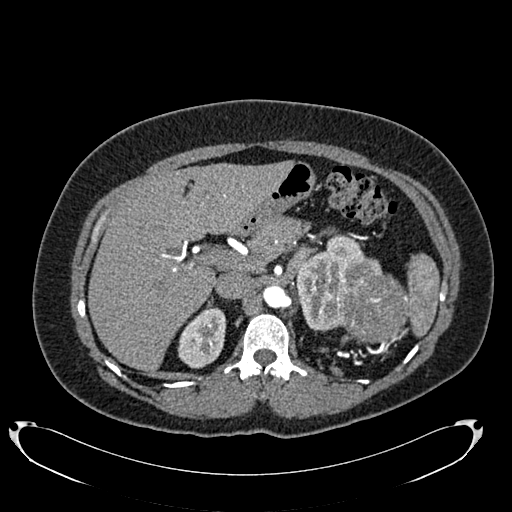
Arterial-phase contrast-enhanced abdominal CT, axial slice 509 of 634 (counted from the lowest slice); tube voltage 120 kVp, convolution kernel B20f; slices 1.00 mm thick, 0.838 mm per pixel.
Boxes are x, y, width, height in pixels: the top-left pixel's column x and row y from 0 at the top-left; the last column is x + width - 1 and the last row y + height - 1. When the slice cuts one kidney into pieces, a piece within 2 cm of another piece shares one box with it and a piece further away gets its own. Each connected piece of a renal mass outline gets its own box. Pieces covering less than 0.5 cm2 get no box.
Three boxes on this slice (two kidney boxes and one renal mass box), listed by box centre from the image's left to its right. (1) Box x 177, y 304, width 50, height 65: right kidney (outlined area 2,222 px, about 15.6 cm2). (2) Left kidney at x 296, y 234, width 87, height 97 (outlined area 4,480 px, about 31.5 cm2). (3) Left renal mass, box x 338, y 274, width 73, height 69 (outlined area 4,030 px, about 28.3 cm2).